One axial slice (113 of 164, counting up from the lowest) of an arterial-phase abdominal CT acquired with 130 kVp, kernel B30s; each pixel is 0.664 mm and the slice is 3.00 mm thick.
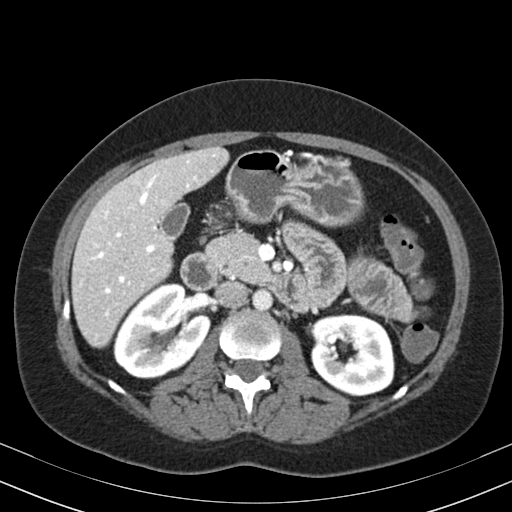
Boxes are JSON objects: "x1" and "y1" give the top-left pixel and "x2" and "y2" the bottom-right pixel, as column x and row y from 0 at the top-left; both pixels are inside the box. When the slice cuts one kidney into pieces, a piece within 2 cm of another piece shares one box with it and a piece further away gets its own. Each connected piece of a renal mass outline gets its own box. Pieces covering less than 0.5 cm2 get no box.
Two boxes on this slice (two kidney boxes), listed by box centre from the image's left to its right. (1) Right kidney, box {"x1": 113, "y1": 283, "x2": 210, "y2": 378} (outlined area 6,568 px, about 29.0 cm2). (2) Left kidney at {"x1": 310, "y1": 314, "x2": 394, "y2": 395} (outlined area 5,557 px, about 24.5 cm2). No renal mass outline on this slice.